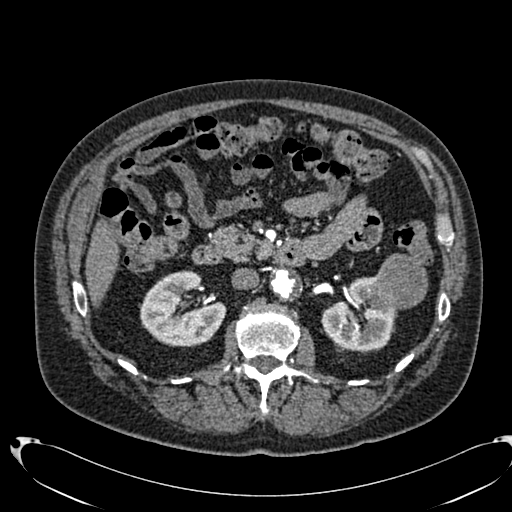
Arterial-phase contrast-enhanced abdominal CT, axial slice 422 of 553 (counted from the lowest slice); tube voltage 120 kVp, convolution kernel B20f; slices 1.00 mm thick, 0.773 mm per pixel.
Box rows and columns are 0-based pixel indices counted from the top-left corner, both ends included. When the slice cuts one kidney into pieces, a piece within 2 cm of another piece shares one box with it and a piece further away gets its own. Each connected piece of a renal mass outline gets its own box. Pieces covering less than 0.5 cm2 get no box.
Three boxes on this slice (two kidney boxes and one renal mass box), listed by box centre from the image's left to its right. (1) Right kidney at rows 270–346, columns 139–226 (outlined area 4,672 px, about 27.9 cm2). (2) Box rows 276–351, columns 321–397: left kidney (outlined area 3,618 px, about 21.6 cm2). (3) Box rows 253–309, columns 372–428: left renal mass (outlined area 2,480 px, about 14.8 cm2).